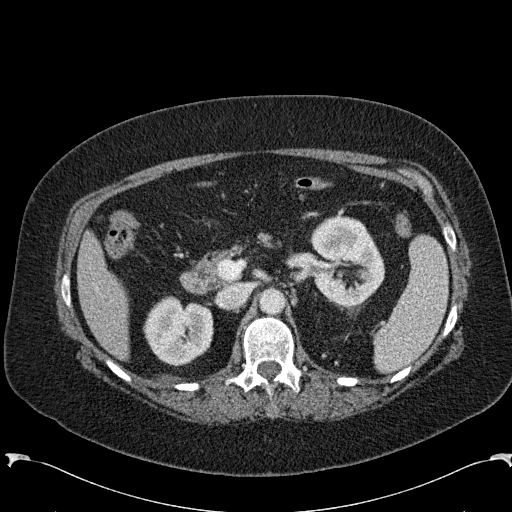
Arterial-phase contrast-enhanced abdominal CT, axial slice 155 of 285 (counted from the lowest slice); tube voltage 120 kVp, convolution kernel B31f; slices 2.00 mm thick, 0.762 mm per pixel.
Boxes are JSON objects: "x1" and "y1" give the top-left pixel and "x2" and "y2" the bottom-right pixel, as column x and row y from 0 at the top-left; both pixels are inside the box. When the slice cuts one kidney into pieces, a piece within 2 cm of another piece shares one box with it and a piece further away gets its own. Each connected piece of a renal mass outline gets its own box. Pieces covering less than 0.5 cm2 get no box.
Two kidney boxes on this slice; by box centre, from the image's left to its right: (1) Box {"x1": 143, "y1": 296, "x2": 213, "y2": 366}: right kidney (outlined area 3,733 px, about 21.7 cm2). (2) Left kidney at {"x1": 310, "y1": 216, "x2": 385, "y2": 306} (outlined area 5,127 px, about 29.7 cm2). This slice carries no renal mass outline.